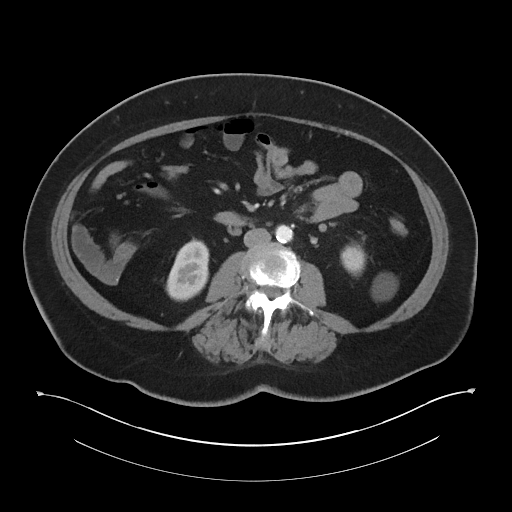
Abdominal CT with intravenous contrast, axial plane, 120 kVp, kernel I30f. Slice 15/60 from the bottom of the scan; thickness 5.00 mm; pixel size 0.971 mm.
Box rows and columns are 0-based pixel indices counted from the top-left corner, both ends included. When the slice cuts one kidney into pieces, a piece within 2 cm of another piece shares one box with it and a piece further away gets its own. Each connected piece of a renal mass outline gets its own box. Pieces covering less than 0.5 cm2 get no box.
Boxed on this slice (two kidney boxes), listed by box centre from the image's left to its right: (1) Right kidney, box rows 238–301, columns 165–209 (outlined area 2,018 px, about 19.0 cm2). (2) Left kidney at rows 242–299, columns 340–396 (outlined area 1,176 px, about 11.1 cm2). No renal mass outline on this slice.